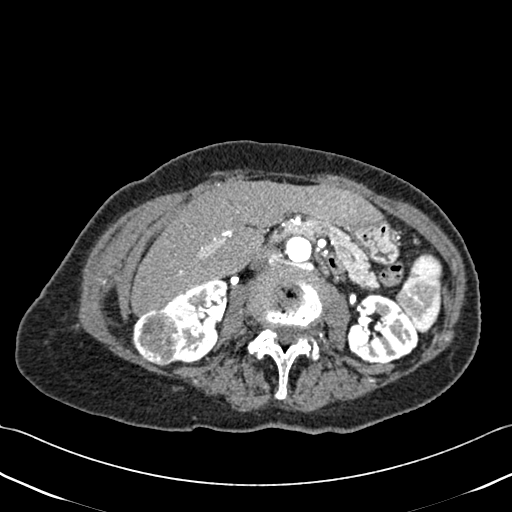
Abdominal CT with intravenous contrast, axial plane, 120 kVp, kernel B30f. Slice 233/433 from the bottom of the scan; thickness 1.00 mm; pixel size 0.672 mm.
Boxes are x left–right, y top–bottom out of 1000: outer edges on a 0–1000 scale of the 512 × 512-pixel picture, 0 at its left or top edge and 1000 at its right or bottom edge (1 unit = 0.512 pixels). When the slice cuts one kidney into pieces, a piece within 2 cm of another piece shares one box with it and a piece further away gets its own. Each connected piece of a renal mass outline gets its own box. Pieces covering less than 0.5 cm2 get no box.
Three boxes on this slice (two kidney boxes and one renal mass box), listed by box centre from the image's left to its right. (1) Right renal mass at x 258–355, y 602–717 out of 1000 (outlined area 2,240 px, about 10.1 cm2). (2) Right kidney, box x 318–447, y 545–711 out of 1000 (outlined area 3,384 px, about 15.3 cm2). (3) Left kidney at x 676–818, y 570–711 out of 1000 (outlined area 3,622 px, about 16.4 cm2).